Abdominal CT with intravenous contrast, arterial phase, axial plane, 140 kVp, kernel B30f. Slice 103/159 from the bottom of the scan; thickness 3.00 mm; pixel size 0.977 mm.
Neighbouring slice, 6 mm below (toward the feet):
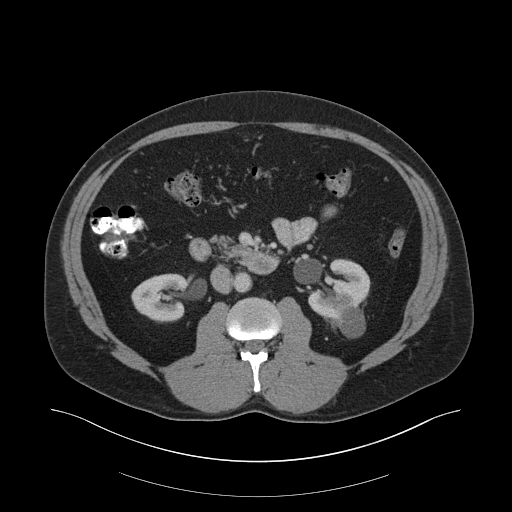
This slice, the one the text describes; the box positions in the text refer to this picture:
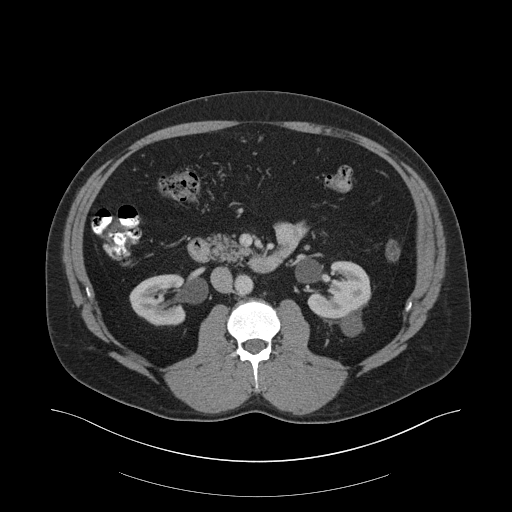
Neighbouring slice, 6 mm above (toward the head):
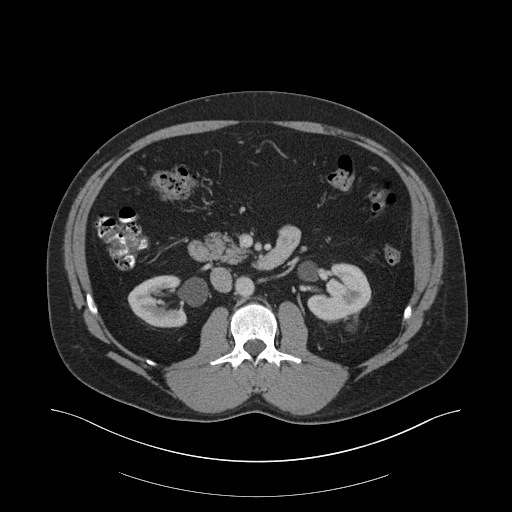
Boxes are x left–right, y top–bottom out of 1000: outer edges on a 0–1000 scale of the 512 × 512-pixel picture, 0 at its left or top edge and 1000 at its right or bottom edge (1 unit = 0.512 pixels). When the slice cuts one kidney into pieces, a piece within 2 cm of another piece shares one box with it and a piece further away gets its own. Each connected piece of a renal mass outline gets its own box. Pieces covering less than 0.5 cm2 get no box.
Boxed on this slice (two kidney boxes and one renal mass box), listed by box centre from the image's left to its right: (1) Box x 252–365, y 535–637 out of 1000: right kidney (outlined area 2,331 px, about 22.2 cm2). (2) Left kidney at x 600–725, y 510–625 out of 1000 (outlined area 2,561 px, about 24.4 cm2). (3) Left renal mass at x 664–711, y 613–658 out of 1000 (outlined area 385 px, about 3.7 cm2). This slice lies near the end of the left renal mass toward the head; the slices 6 mm below and 6 mm above it are shown too, and the boxes mark positions on this slice only.